Abdominal CT with intravenous contrast, axial plane, 120 kVp, kernel B41f. Slice 50/98 from the bottom of the scan; thickness 5.00 mm; pixel size 0.965 mm.
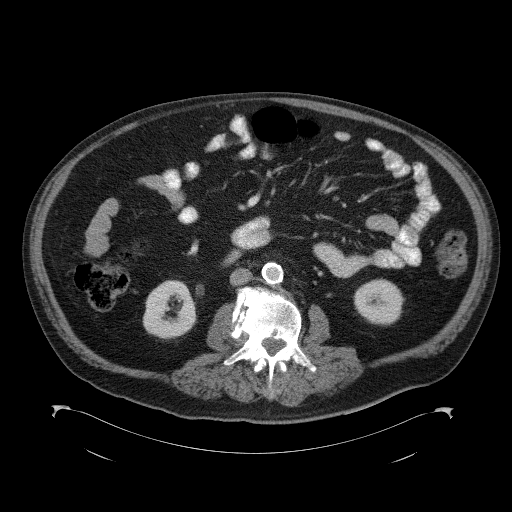
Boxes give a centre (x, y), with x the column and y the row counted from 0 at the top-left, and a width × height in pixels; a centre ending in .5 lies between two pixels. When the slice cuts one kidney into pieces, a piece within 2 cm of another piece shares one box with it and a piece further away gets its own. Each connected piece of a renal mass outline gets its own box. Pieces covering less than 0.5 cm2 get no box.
Two boxes on this slice (two kidney boxes), listed by box centre from the image's left to its right. (1) Right kidney in a box with centre (169, 309.5), 55 × 60 pixels (outlined area 2,487 px, about 23.2 cm2). (2) Left kidney, box centre (378.5, 302), 52 × 47 pixels (outlined area 1,827 px, about 17.0 cm2). This slice carries no renal mass outline.